Contrast-enhanced abdominal CT, axial slice 179 of 314 (counted from the lowest slice); tube voltage 130 kVp, convolution kernel B31s; slices 2.50 mm thick, 0.934 mm per pixel.
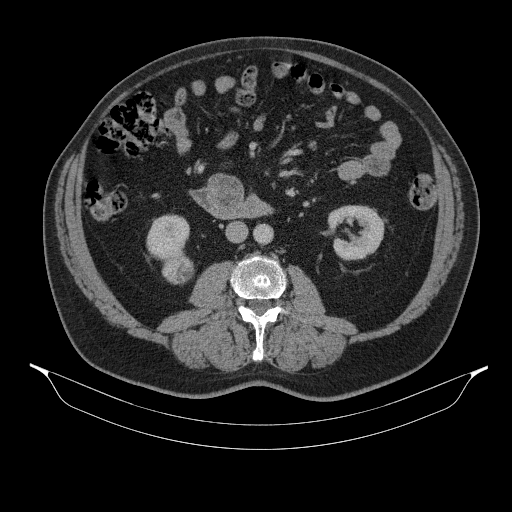
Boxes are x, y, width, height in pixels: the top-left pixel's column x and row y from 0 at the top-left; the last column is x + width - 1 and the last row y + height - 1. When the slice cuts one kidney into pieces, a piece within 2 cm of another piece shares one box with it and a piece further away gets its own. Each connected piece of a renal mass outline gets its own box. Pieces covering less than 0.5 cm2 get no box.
Three boxes on this slice (two kidney boxes and one renal mass box), listed by box centre from the image's left to its right. (1) Right kidney, box x 146, y 214, width 44, height 47 (outlined area 1,487 px, about 13.0 cm2). (2) Box x 162, y 250, width 33, height 35: right renal mass (outlined area 856 px, about 7.5 cm2). (3) Box x 327, y 205, width 58, height 56: left kidney (outlined area 2,321 px, about 20.2 cm2).